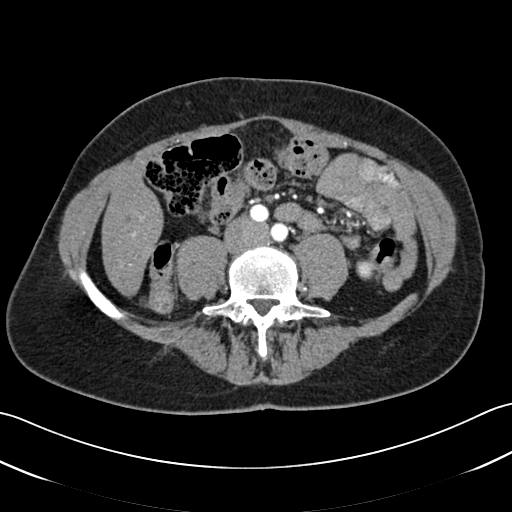
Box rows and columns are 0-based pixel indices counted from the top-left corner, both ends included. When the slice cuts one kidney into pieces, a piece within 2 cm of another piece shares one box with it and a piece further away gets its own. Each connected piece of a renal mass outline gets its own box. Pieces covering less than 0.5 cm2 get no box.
Slice 3/52 of a contrast-enhanced abdominal CT in the arterial phase, counting up from the lowest; pixel size 0.678 mm, slice thickness 3.00 mm. Box rows 259–279, columns 356–374: left kidney (outlined area 307 px, about 1.4 cm2). No renal mass is outlined on this slice.
Scan settings: 120 kVp, B30f reconstruction kernel.